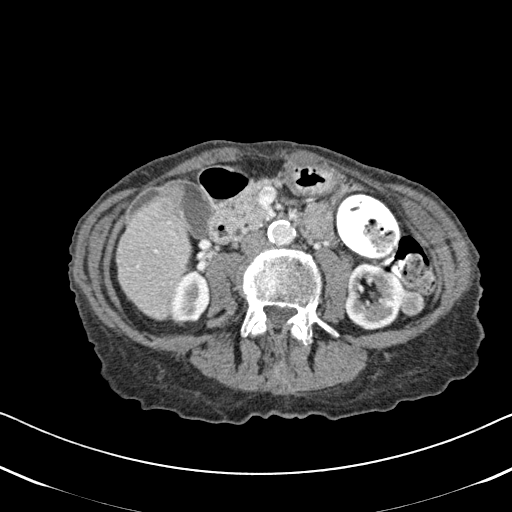
One axial slice (265 of 620, counting up from the lowest) of an arterial-phase abdominal CT acquired with 120 kVp, kernel B31f; each pixel is 0.637 mm and the slice is 2.00 mm thick.
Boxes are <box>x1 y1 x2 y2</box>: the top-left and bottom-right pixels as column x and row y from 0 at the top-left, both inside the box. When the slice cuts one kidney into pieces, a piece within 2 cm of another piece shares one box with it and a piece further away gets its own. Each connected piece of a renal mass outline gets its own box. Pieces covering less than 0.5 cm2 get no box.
Three boxes on this slice (two kidney boxes and one renal mass box), listed by box centre from the image's left to its right. (1) At <box>170 269 209 324</box>: right kidney (outlined area 1,677 px, about 6.8 cm2). (2) Left kidney: <box>344 262 411 330</box> (outlined area 3,005 px, about 12.2 cm2). (3) At <box>399 290 425 316</box>: left renal mass (outlined area 563 px, about 2.3 cm2).